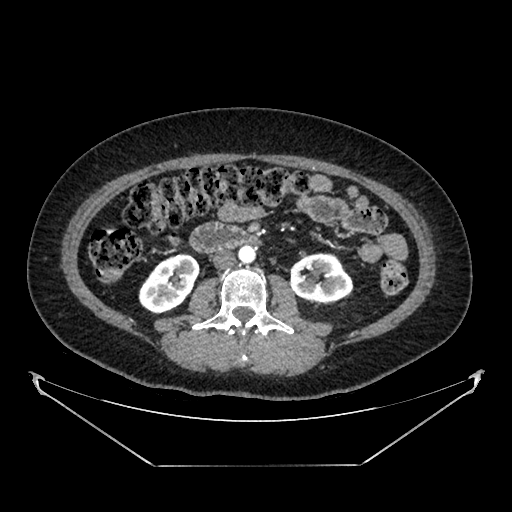
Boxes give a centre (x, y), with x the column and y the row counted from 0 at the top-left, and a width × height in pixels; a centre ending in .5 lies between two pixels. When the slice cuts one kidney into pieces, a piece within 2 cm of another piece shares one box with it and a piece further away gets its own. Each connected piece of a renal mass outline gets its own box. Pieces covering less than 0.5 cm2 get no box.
This is axial slice 205 of 383 (slice 1 is the lowest) of an arterial-phase abdominal CT with contrast; each pixel is 0.898 mm and the slice is 1.25 mm thick. Two boxes on this slice (two kidney boxes), listed by box centre from the image's left to its right. (1) Box centre (168.5, 283.5), 62 × 62 pixels: right kidney (outlined area 2,550 px, about 20.6 cm2). (2) Left kidney in a box with centre (321.5, 277.5), 64 × 50 pixels (outlined area 2,439 px, about 19.7 cm2). This slice carries no renal mass outline.
Acquired at 100 kVp and reconstructed with the SOFT kernel.